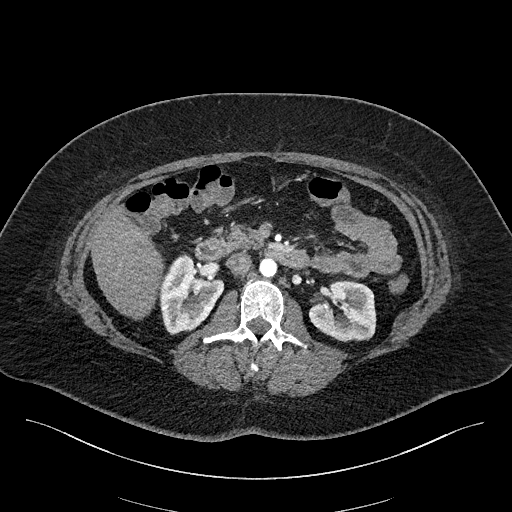
Axial slice 107 of 270 of a contrast-enhanced abdominal CT in the arterial phase (slice 1 is the lowest), 100 kVp, kernel I40f; 2.00 mm slice thickness and 0.855 mm pixels.
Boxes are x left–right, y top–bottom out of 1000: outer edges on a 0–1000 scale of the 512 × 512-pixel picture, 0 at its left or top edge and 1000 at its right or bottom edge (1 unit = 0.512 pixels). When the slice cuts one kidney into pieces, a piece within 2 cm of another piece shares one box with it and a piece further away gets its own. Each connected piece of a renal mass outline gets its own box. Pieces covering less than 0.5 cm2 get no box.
Two kidney boxes on this slice; by box centre, from the image's left to its right: (1) Right kidney, box x 311–439, y 494–654 out of 1000 (outlined area 3,655 px, about 26.7 cm2). (2) Box x 602–736, y 547–668 out of 1000: left kidney (outlined area 3,241 px, about 23.7 cm2). No renal mass outline on this slice.